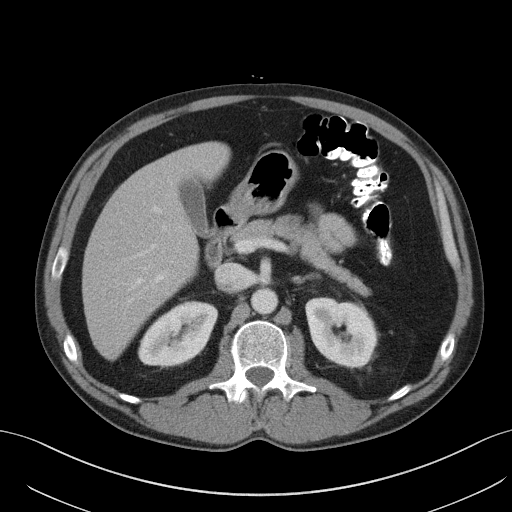
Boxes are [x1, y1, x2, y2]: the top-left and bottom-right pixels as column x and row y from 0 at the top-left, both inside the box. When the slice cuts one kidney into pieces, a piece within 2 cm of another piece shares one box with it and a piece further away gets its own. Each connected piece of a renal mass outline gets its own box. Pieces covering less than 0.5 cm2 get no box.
This is axial slice 64 of 131 (slice 1 is the lowest) of an arterial-phase abdominal CT with contrast; each pixel is 0.760 mm and the slice is 5.00 mm thick. Two boxes on this slice (two kidney boxes), listed by box centre from the image's left to its right. (1) Right kidney at [138, 301, 217, 367] (outlined area 3,650 px, about 21.1 cm2). (2) Left kidney at [305, 297, 377, 367] (outlined area 3,842 px, about 22.2 cm2). This slice carries no renal mass outline.
Acquired at 120 kVp and reconstructed with the B41f kernel.